Axial slice 109 of 302 of a contrast-enhanced abdominal CT in the arterial phase (slice 1 is the lowest), 100 kVp, kernel I30f; 5.00 mm slice thickness and 0.875 mm pixels.
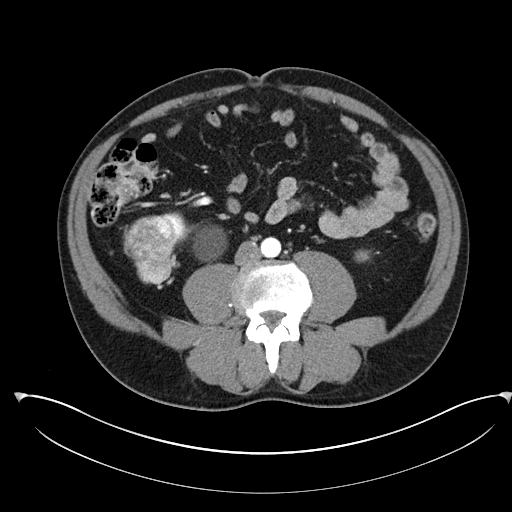
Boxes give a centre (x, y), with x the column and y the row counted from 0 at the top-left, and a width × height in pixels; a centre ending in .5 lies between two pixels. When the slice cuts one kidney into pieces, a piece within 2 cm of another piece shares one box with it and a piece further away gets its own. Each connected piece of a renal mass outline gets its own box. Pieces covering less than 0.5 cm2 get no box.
One kidney box and one renal mass box on this slice; by box centre, from the image's left to its right: (1) Right renal mass in a box with centre (153, 248.5), 61 × 72 pixels (outlined area 3,139 px, about 24.0 cm2). (2) Right kidney, box centre (197.5, 236), 58 × 49 pixels (outlined area 1,060 px, about 8.1 cm2).